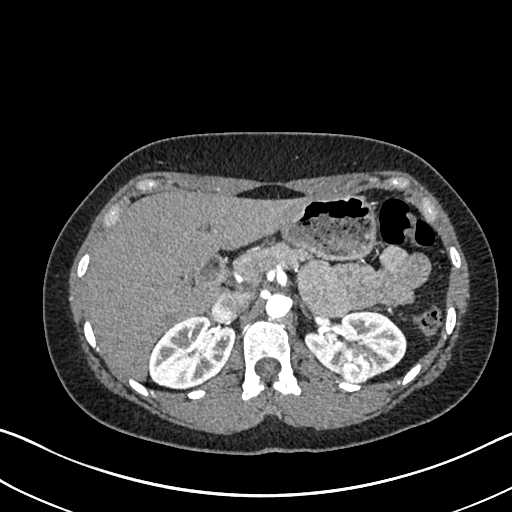
One axial slice (473 of 612, counting up from the lowest) of an arterial-phase abdominal CT acquired with 120 kVp, kernel I30f; each pixel is 0.703 mm and the slice is 1.00 mm thick.
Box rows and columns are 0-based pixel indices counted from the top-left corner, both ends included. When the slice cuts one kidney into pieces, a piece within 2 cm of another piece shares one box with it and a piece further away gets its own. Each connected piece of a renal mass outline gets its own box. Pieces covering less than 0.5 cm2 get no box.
Three boxes on this slice (two kidney boxes and one renal mass box), listed by box centre from the image's left to its right. (1) Right kidney, box rows 314–389, columns 149–234 (outlined area 4,654 px, about 23.0 cm2). (2) Box rows 356–381, columns 339–370: left renal mass (outlined area 669 px, about 3.3 cm2). (3) Left kidney, box rows 310–378, columns 304–406 (outlined area 4,506 px, about 22.3 cm2).